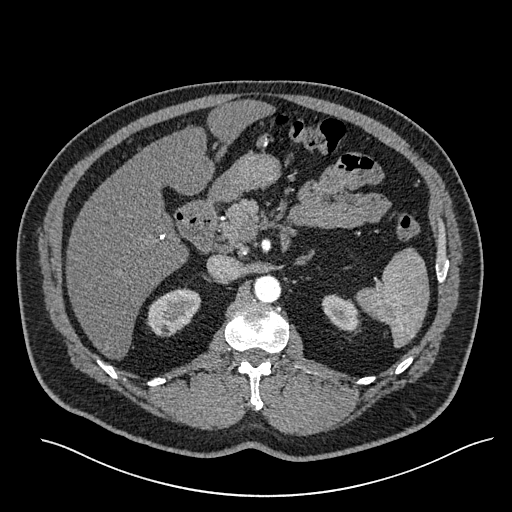
Abdominal CT with intravenous contrast, arterial phase, axial plane, 120 kVp, kernel I30f. Slice 389/527 from the bottom of the scan; thickness 1.00 mm; pixel size 0.859 mm.
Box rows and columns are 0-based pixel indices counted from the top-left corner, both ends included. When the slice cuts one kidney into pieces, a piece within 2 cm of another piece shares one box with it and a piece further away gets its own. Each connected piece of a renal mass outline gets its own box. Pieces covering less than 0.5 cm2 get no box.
Two kidney boxes on this slice; by box centre, from the image's left to its right: (1) Right kidney at rows 288–336, columns 146–201 (outlined area 1,865 px, about 13.8 cm2). (2) Left kidney, box rows 294–331, columns 321–359 (outlined area 1,000 px, about 7.4 cm2). This slice carries no renal mass outline.